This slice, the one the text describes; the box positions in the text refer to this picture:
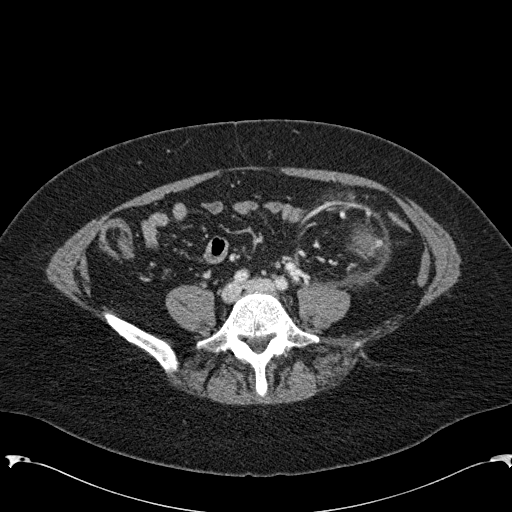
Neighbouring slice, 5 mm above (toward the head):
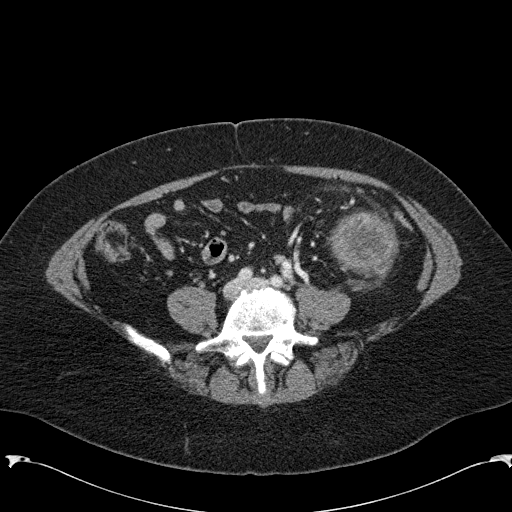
One axial slice (18 of 285, counting up from the lowest) of an arterial-phase abdominal CT acquired with 120 kVp, kernel B31f; each pixel is 0.762 mm and the slice is 2.00 mm thick.
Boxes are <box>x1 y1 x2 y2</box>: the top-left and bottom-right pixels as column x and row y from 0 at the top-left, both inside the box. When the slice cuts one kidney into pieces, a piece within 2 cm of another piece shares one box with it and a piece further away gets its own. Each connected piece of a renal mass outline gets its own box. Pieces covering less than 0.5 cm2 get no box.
At <box>349 226 377 258</box>: left renal mass (outlined area 666 px, about 3.9 cm2); no kidney outline appears on this slice, but the same outlined renal mass comes within 1 cm of the kidney on another slice. This slice is near the end of the left renal mass toward the feet, so the slice 5 mm above it is shown as well; the boxes refer to this slice only.